Arterial-phase contrast-enhanced abdominal CT, axial slice 52 of 96 (counted from the lowest slice); tube voltage 130 kVp, convolution kernel B30s; slices 3.00 mm thick, 0.781 mm per pixel.
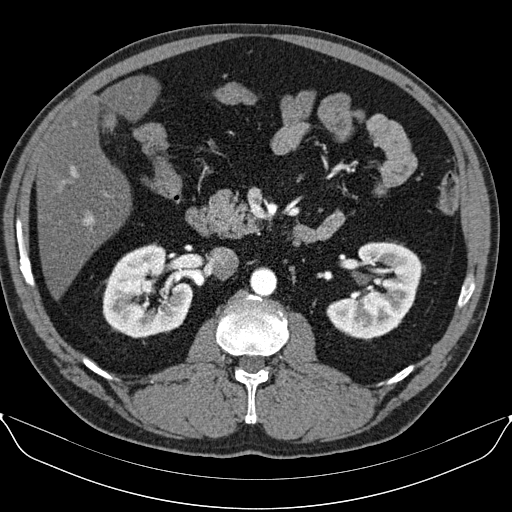
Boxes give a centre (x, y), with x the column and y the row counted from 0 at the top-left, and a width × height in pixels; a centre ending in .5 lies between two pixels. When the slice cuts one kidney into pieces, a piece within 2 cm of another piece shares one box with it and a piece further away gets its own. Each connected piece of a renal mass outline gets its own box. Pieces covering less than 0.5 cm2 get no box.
Two kidney boxes on this slice; by box centre, from the image's left to its right: (1) Box centre (147.5, 290), 92 × 97 pixels: right kidney (outlined area 6,146 px, about 37.5 cm2). (2) Box centre (375, 290.5), 99 × 100 pixels: left kidney (outlined area 6,133 px, about 37.4 cm2). No renal mass outline on this slice.